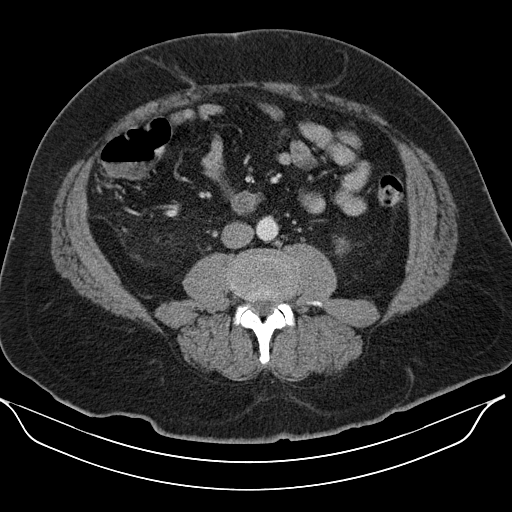
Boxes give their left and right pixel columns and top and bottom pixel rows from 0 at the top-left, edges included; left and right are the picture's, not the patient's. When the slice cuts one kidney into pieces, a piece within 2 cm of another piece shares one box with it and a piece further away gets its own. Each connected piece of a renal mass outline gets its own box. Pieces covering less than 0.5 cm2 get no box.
This is axial slice 56 of 110 (slice 1 is the lowest) of an arterial-phase abdominal CT with contrast; each pixel is 0.836 mm and the slice is 5.00 mm thick. Left kidney, the box with left 335, top 237, right 349, bottom 256 (outlined area 191 px, about 1.3 cm2). No renal mass outline on this slice.
Tube voltage 130 kVp; convolution kernel B30s.